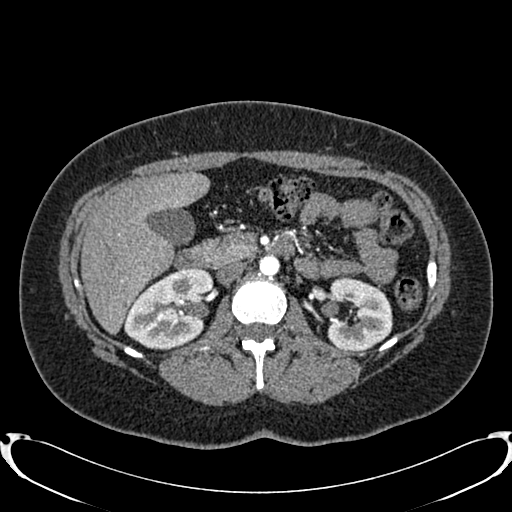
Abdominal CT with intravenous contrast, arterial phase, axial plane, 120 kVp, kernel B20f. Slice 480/719 from the bottom of the scan; thickness 1.00 mm; pixel size 0.766 mm.
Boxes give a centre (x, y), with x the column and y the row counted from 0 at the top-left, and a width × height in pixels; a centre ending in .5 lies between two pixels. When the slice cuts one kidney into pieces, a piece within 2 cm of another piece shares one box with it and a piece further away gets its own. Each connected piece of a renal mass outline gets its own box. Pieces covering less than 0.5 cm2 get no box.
Two kidney boxes on this slice; by box centre, from the image's left to its right: (1) Right kidney, box centre (168, 309), 91 × 83 pixels (outlined area 5,322 px, about 31.2 cm2). (2) Left kidney in a box with centre (359.5, 313.5), 66 × 76 pixels (outlined area 3,775 px, about 22.1 cm2). This slice carries no renal mass outline.